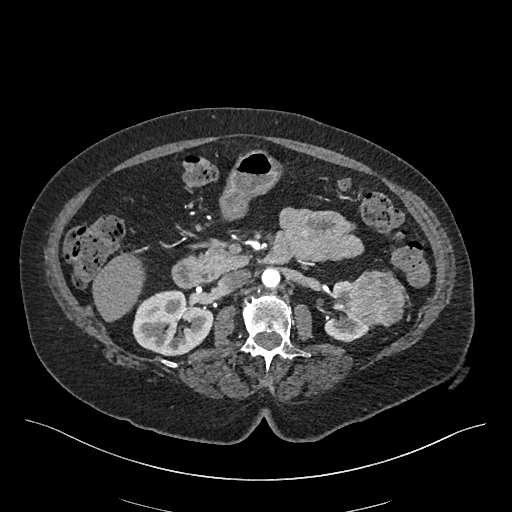
Arterial-phase contrast-enhanced abdominal CT, axial slice 254 of 548 (counted from the lowest slice); tube voltage 120 kVp, convolution kernel I26f; slices 1.00 mm thick, 0.852 mm per pixel.
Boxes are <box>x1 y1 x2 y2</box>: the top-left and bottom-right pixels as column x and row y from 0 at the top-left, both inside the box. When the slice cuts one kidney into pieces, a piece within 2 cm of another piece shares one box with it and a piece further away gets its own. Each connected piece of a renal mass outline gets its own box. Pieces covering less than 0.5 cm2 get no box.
Two kidney boxes and one renal mass box on this slice; by box centre, from the image's left to its right: (1) Right kidney: <box>132 290 212 356</box> (outlined area 4,053 px, about 29.4 cm2). (2) At <box>324 280 369 342</box>: left kidney (outlined area 1,352 px, about 9.8 cm2). (3) Left renal mass: <box>343 270 406 328</box> (outlined area 2,816 px, about 20.4 cm2).